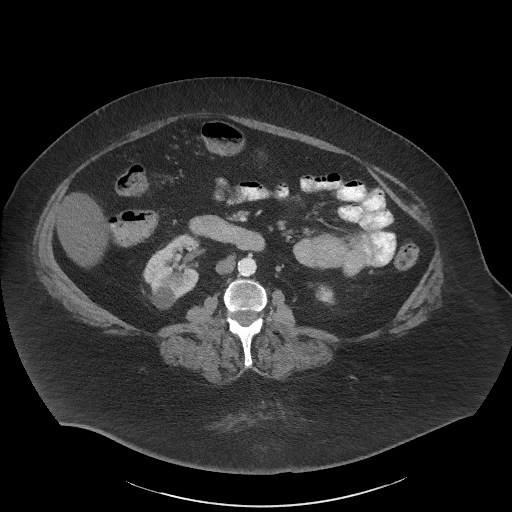
One axial slice (20 of 61, counting up from the lowest) of an arterial-phase abdominal CT acquired with 140 kVp, kernel I41f; each pixel is 0.947 mm and the slice is 3.00 mm thick.
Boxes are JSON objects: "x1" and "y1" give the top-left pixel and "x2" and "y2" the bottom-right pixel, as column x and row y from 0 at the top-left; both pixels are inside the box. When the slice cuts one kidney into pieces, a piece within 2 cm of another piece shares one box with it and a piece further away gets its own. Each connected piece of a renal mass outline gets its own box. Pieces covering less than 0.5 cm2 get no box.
Boxed on this slice (two kidney boxes), listed by box centre from the image's left to its right: (1) Box {"x1": 142, "y1": 233, "x2": 199, "y2": 309}: right kidney (outlined area 2,986 px, about 26.8 cm2). (2) Left kidney, box {"x1": 315, "y1": 284, "x2": 334, "y2": 305} (outlined area 304 px, about 2.7 cm2). This slice carries no renal mass outline.